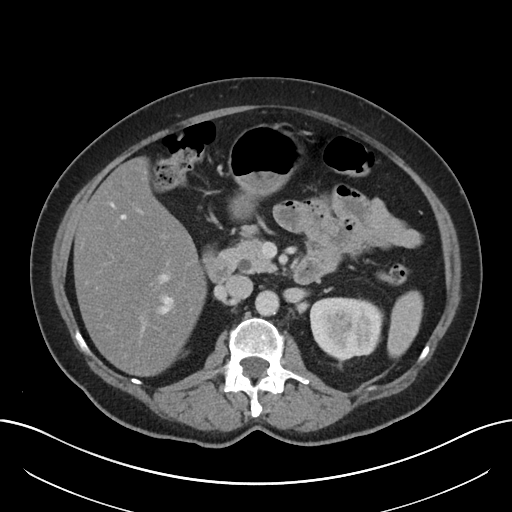
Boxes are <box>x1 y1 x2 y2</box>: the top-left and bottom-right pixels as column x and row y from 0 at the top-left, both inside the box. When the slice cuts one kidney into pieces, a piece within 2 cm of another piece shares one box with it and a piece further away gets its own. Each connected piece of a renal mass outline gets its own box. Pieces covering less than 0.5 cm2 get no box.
Contrast-enhanced abdominal CT, axial slice 125 of 197 (counted from the lowest slice); 5.00 mm thick, 0.791 mm per pixel. At <box>310 297 382 360</box>: left kidney (outlined area 3,831 px, about 24.0 cm2). No renal mass outline on this slice.
Scan settings: 120 kVp, I30f reconstruction kernel.